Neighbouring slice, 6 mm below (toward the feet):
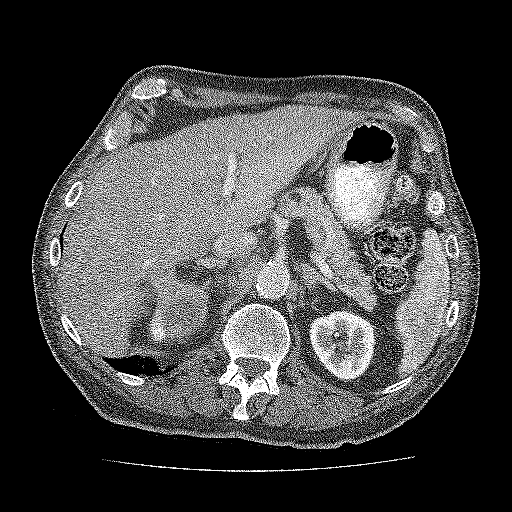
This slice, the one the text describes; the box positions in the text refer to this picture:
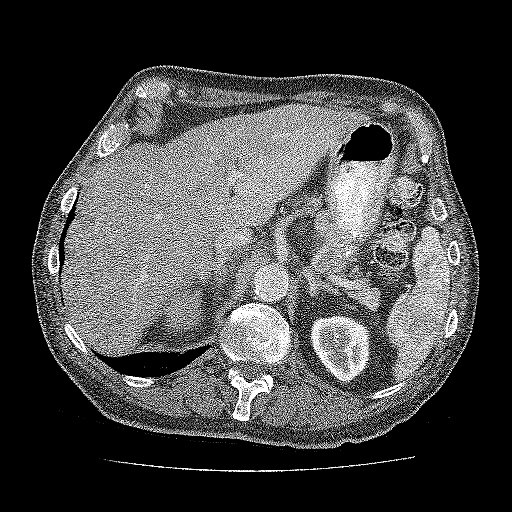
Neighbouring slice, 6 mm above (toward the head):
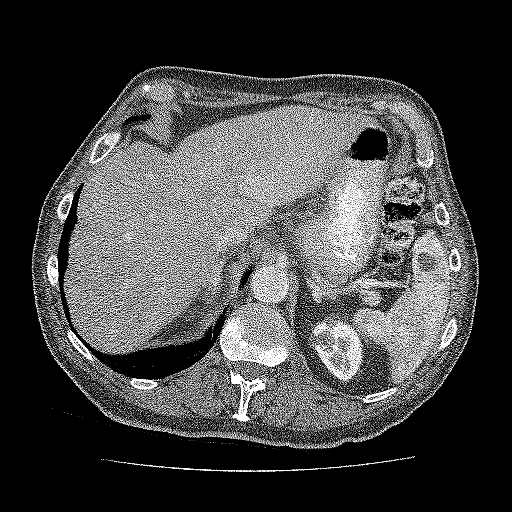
Contrast-enhanced abdominal CT, axial slice 113 of 137 (counted from the lowest slice); tube voltage 120 kVp, convolution kernel FC52; slices 3.00 mm thick, 0.741 mm per pixel.
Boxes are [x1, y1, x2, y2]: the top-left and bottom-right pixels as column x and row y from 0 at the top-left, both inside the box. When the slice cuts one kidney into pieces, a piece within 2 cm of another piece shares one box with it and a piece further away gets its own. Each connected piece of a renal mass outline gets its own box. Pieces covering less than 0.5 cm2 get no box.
Boxed on this slice (one kidney box and one renal mass box), listed by box centre from the image's left to its right: (1) Renal mass, box [162, 288, 202, 330] (outlined area 1,371 px, about 7.5 cm2); it sits over 1 cm from every kidney outline on this slice, but the same outlined renal mass comes within 1 cm of the kidney on another slice. (2) Kidney, box [310, 314, 370, 383] (outlined area 3,175 px, about 17.4 cm2). This slice is near the end of a renal mass toward the head, so the slices 6 mm below and 6 mm above it are shown as well; the boxes refer to this slice only.